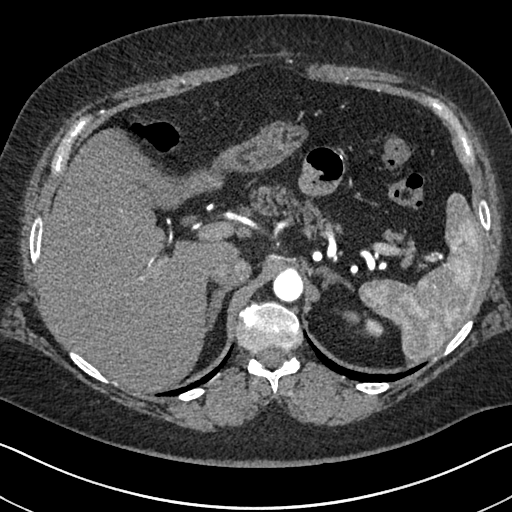
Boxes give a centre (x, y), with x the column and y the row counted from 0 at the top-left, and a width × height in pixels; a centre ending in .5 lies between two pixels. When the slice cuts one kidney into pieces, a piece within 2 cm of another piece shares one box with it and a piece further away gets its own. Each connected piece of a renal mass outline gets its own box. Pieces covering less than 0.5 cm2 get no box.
Slice 514/591 of a contrast-enhanced abdominal CT in the arterial phase, counting up from the lowest; pixel size 0.703 mm, slice thickness 1.00 mm. Left kidney, box centre (363, 323), 41 × 25 pixels (outlined area 403 px, about 2.0 cm2). No renal mass outline on this slice.
Scan settings: 140 kVp, I30f reconstruction kernel.